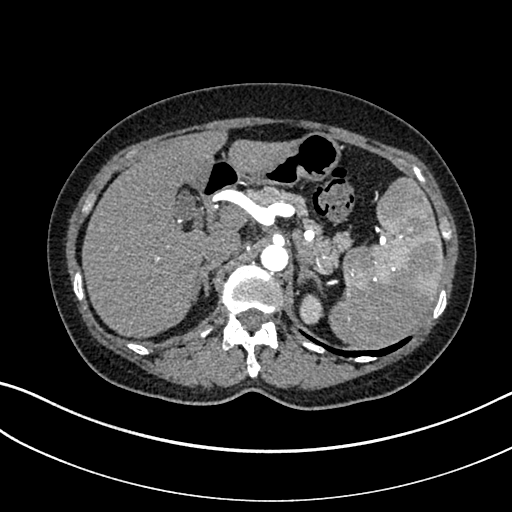
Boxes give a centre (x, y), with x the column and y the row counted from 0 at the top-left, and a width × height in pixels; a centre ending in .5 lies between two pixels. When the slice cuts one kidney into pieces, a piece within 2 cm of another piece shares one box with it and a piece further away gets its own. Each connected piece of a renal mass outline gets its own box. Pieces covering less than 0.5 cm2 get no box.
Arterial-phase contrast-enhanced abdominal CT, axial slice 251 of 325 (counted from the lowest slice); 1.00 mm thick, 0.703 mm per pixel. Left kidney in a box with centre (311, 309), 25 × 31 pixels (outlined area 587 px, about 2.9 cm2). This slice carries no renal mass outline.
Acquired at 100 kVp and reconstructed with the I30f kernel.